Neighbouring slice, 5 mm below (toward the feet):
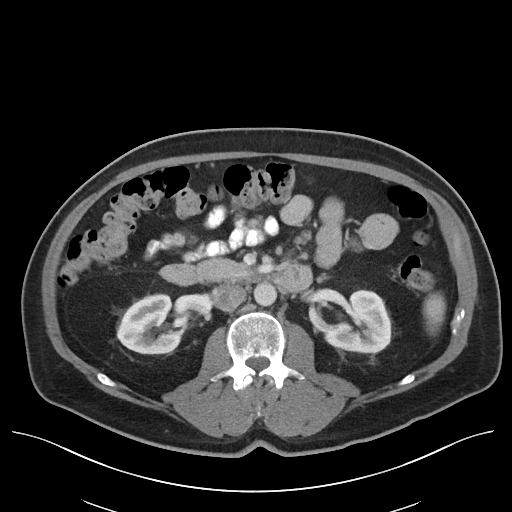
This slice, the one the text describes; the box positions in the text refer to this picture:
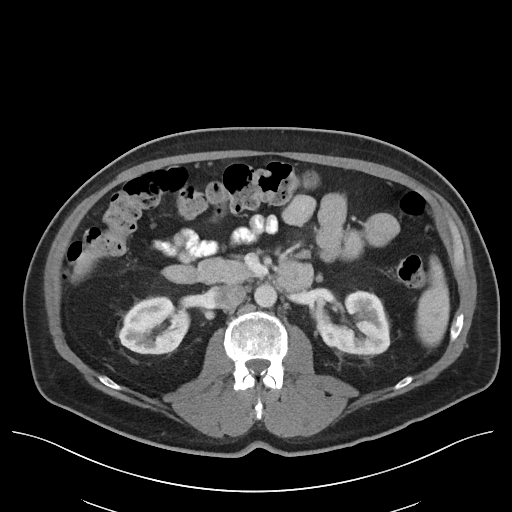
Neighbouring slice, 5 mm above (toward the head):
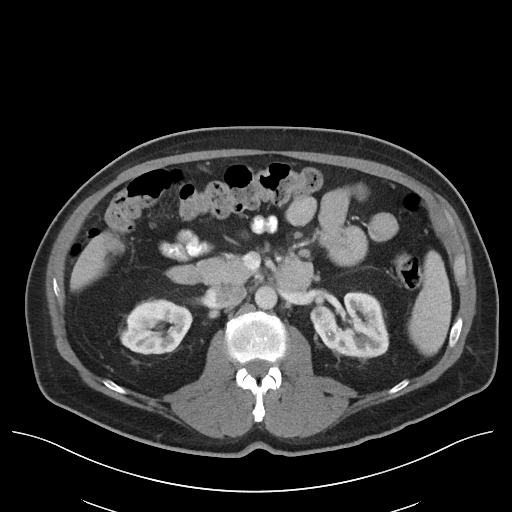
Axial slice 66 of 96 of a contrast-enhanced abdominal CT in the arterial phase (slice 1 is the lowest), 120 kVp, kernel I40f; 5.00 mm slice thickness and 0.840 mm pixels.
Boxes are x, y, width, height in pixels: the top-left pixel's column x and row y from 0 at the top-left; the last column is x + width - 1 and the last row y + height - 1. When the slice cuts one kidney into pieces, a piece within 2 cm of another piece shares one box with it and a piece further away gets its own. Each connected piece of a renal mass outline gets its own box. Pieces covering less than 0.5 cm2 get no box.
Three boxes on this slice (two kidney boxes and one renal mass box), listed by box centre from the image's left to its right. (1) Right kidney, box x 119, y 296, width 71, height 59 (outlined area 3,170 px, about 22.4 cm2). (2) Left renal mass, box x 316, y 320, width 10, height 12 (outlined area 87 px, about 0.6 cm2). (3) Box x 316, y 290, width 75, height 66: left kidney (outlined area 3,240 px, about 22.9 cm2). This slice is near the end of the left renal mass toward the feet, so the slices 5 mm below and 5 mm above it are shown as well; the boxes refer to this slice only.